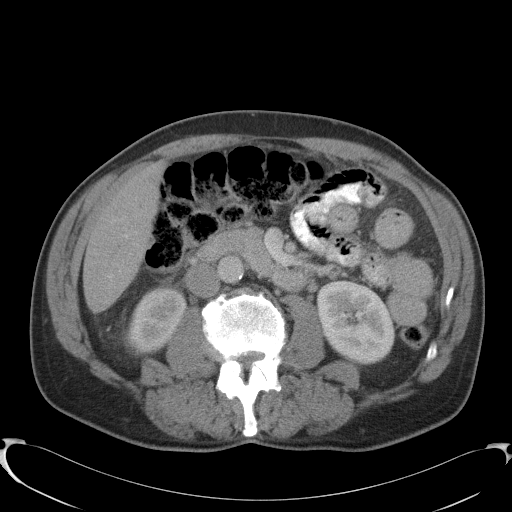
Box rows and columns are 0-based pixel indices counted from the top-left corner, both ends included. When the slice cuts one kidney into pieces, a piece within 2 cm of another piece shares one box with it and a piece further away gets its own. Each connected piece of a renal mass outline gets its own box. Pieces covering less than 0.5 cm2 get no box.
Contrast-enhanced abdominal CT, axial slice 58 of 91 (counted from the lowest slice); 5.00 mm thick, 0.762 mm per pixel. Two kidney boxes on this slice; by box centre, from the image's left to its right: (1) Right kidney, box rows 287–353, columns 127–186 (outlined area 2,833 px, about 16.4 cm2). (2) Box rows 280–365, columns 317–393: left kidney (outlined area 5,032 px, about 29.2 cm2). This slice carries no renal mass outline.
Scan settings: 120 kVp, B41f reconstruction kernel.